Contrast-enhanced abdominal CT, axial slice 145 of 206 (counted from the lowest slice); tube voltage 120 kVp, convolution kernel STANDARD; slices 2.50 mm thick, 0.879 mm per pixel.
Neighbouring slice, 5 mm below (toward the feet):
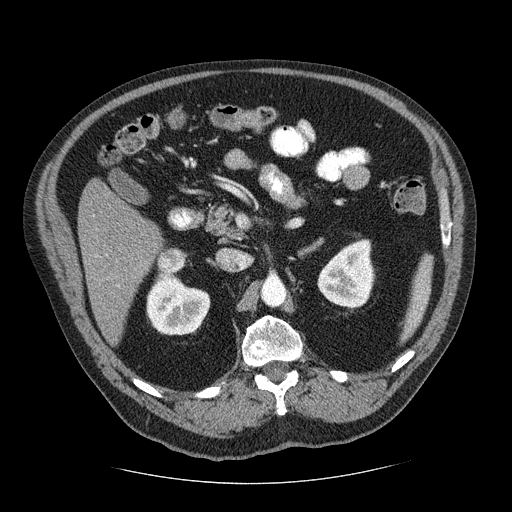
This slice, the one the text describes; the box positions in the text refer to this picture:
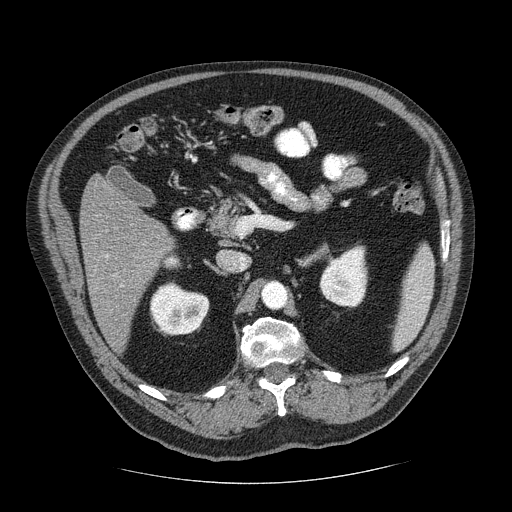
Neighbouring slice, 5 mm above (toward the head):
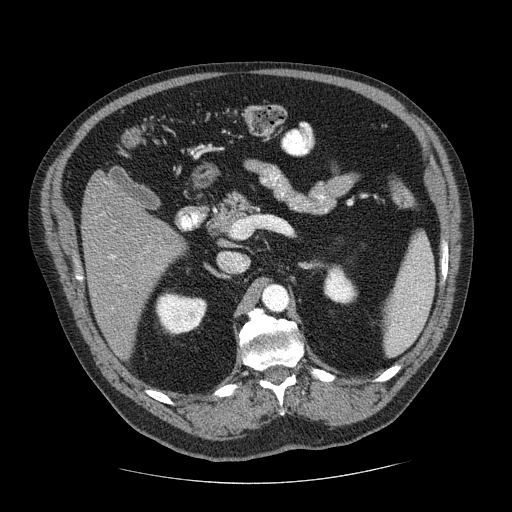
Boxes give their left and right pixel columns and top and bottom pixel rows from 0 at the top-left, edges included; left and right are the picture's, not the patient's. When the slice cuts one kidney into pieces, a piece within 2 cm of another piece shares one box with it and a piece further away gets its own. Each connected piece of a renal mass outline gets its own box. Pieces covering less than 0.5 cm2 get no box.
Three boxes on this slice (two kidney boxes and one renal mass box), listed by box centre from the image's left to its right. (1) Box with left 162, top 253, right 181, bottom 269: right renal mass (outlined area 264 px, about 2.0 cm2); it sits over 1 cm from every kidney outline on this slice, but the same outlined renal mass comes within 1 cm of the kidney on another slice. (2) Right kidney, the box with left 149, top 281, right 209, bottom 335 (outlined area 2,464 px, about 19.0 cm2). (3) Left kidney in the box with left 319, top 243, right 369, bottom 308 (outlined area 2,342 px, about 18.1 cm2). This slice is near the end of the right renal mass toward the head, so the slices 5 mm below and 5 mm above it are shown as well; the boxes refer to this slice only.